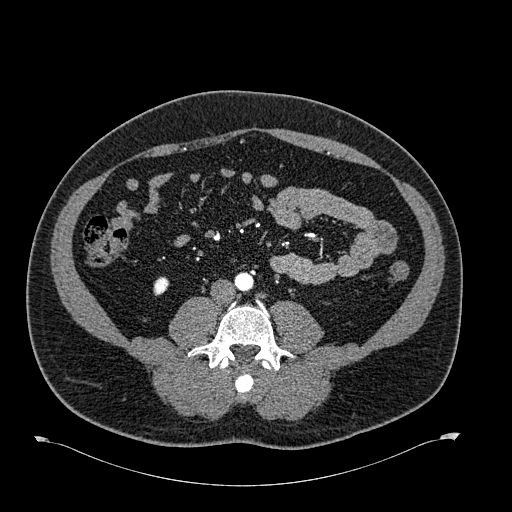
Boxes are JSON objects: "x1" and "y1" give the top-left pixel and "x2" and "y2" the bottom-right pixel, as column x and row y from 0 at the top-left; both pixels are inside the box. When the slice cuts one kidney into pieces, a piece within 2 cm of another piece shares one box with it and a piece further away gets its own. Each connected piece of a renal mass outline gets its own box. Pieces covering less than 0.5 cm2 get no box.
Arterial-phase contrast-enhanced abdominal CT, axial slice 247 of 723 (counted from the lowest slice); 1.00 mm thick, 0.895 mm per pixel. Box {"x1": 153, "y1": 276, "x2": 169, "y2": 295}: right kidney (outlined area 237 px, about 1.9 cm2). No renal mass is outlined on this slice.
Tube voltage 120 kVp; convolution kernel B30f.